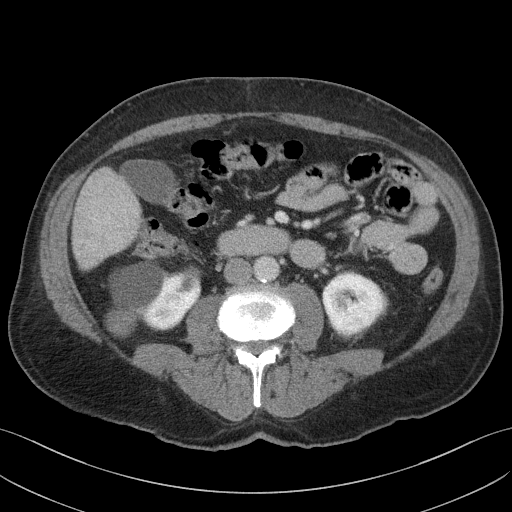
One axial slice (59 of 103, counting up from the lowest) of a contrast-enhanced abdominal CT acquired with 100 kVp, kernel I41f; each pixel is 0.742 mm and the slice is 4.00 mm thick.
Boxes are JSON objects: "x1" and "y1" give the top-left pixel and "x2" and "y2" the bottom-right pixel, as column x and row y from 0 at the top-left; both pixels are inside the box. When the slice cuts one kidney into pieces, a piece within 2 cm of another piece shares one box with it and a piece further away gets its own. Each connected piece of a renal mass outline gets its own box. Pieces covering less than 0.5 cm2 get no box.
Two boxes on this slice (two kidney boxes), listed by box centre from the image's left to its right. (1) Right kidney at {"x1": 105, "y1": 261, "x2": 201, "y2": 337} (outlined area 5,305 px, about 29.2 cm2). (2) Box {"x1": 322, "y1": 271, "x2": 386, "y2": 336}: left kidney (outlined area 3,125 px, about 17.2 cm2). No renal mass is outlined on this slice.